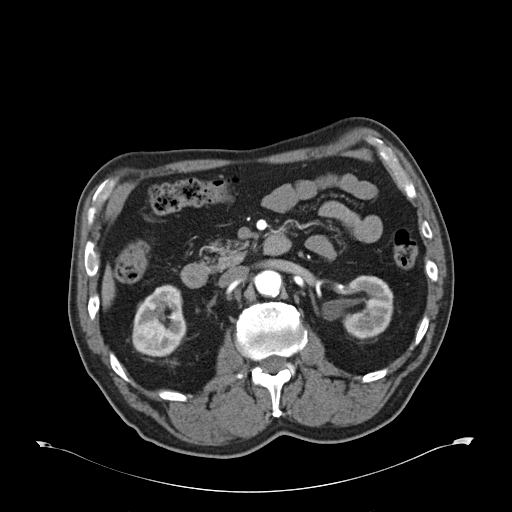
Arterial-phase contrast-enhanced abdominal CT, axial slice 31 of 59 (counted from the lowest slice); tube voltage 120 kVp, convolution kernel B30f; slices 5.00 mm thick, 0.871 mm per pixel.
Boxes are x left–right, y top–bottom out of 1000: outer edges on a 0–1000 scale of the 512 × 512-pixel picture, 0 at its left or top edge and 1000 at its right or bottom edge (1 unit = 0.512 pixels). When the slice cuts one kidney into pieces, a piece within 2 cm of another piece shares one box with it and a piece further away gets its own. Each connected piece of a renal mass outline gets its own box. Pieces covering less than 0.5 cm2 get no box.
Two kidney boxes and one renal mass box on this slice; by box centre, from the image's left to its right: (1) Right renal mass at x 266–324, y 621–678 out of 1000 (outlined area 635 px, about 4.8 cm2). (2) Right kidney, box x 258–365, y 555–697 out of 1000 (outlined area 2,424 px, about 18.4 cm2). (3) Box x 668–770, y 537–664 out of 1000: left kidney (outlined area 2,470 px, about 18.7 cm2).